Arterial-phase contrast-enhanced abdominal CT, axial slice 287 of 670 (counted from the lowest slice); tube voltage 120 kVp, convolution kernel I30f; slices 1.00 mm thick, 0.861 mm per pixel.
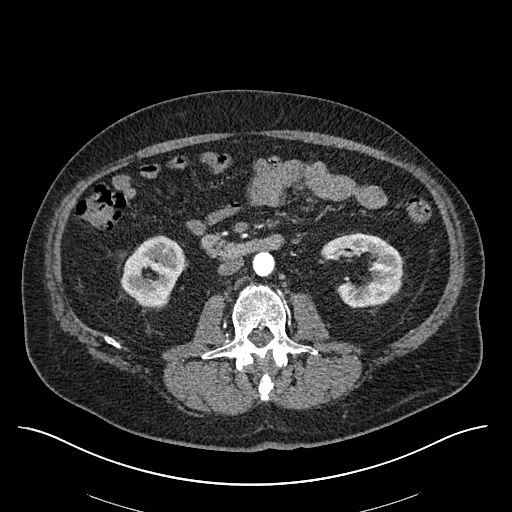
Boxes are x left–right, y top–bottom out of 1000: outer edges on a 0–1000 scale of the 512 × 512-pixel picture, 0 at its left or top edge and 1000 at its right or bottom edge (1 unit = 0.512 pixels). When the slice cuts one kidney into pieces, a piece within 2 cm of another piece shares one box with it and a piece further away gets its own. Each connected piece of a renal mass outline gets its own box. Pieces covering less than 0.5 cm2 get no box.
Boxed on this slice (two kidney boxes), listed by box centre from the image's left to its right: (1) Right kidney at x 236–363, y 459–602 out of 1000 (outlined area 3,283 px, about 24.4 cm2). (2) Left kidney, box x 625–787, y 455–602 out of 1000 (outlined area 3,795 px, about 28.2 cm2).